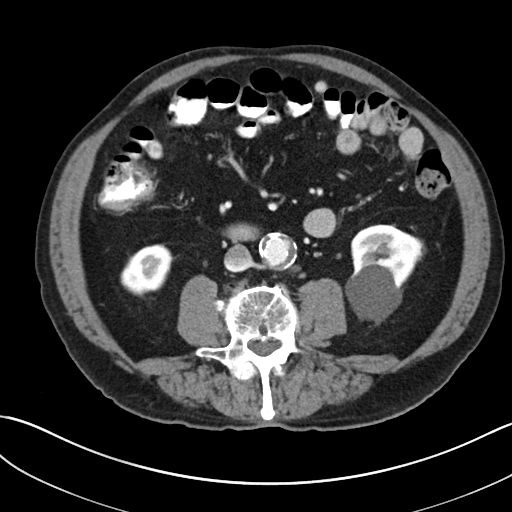
One axial slice (110 of 269, counting up from the lowest) of a contrast-enhanced abdominal CT acquired with 100 kVp, kernel I30f; each pixel is 0.732 mm and the slice is 5.00 mm thick.
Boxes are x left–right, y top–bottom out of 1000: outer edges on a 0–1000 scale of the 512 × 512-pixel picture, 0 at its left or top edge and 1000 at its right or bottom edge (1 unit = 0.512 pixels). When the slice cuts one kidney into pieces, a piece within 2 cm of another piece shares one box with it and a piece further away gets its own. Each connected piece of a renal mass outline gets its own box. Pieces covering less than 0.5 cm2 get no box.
Two kidney boxes on this slice; by box centre, from the image's left to its right: (1) Right kidney, box x 234–342, y 477–580 out of 1000 (outlined area 1,989 px, about 10.7 cm2). (2) Box x 674–832, y 438–635 out of 1000: left kidney (outlined area 5,380 px, about 28.9 cm2). No renal mass is outlined on this slice.